Arterial-phase contrast-enhanced abdominal CT, axial slice 256 of 527 (counted from the lowest slice); tube voltage 120 kVp, convolution kernel I30f; slices 1.00 mm thick, 0.859 mm per pixel.
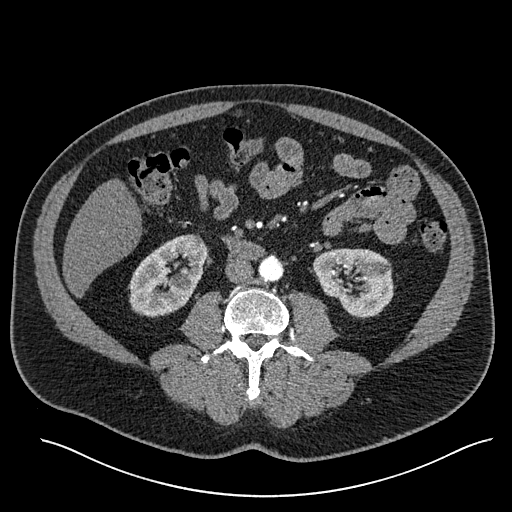
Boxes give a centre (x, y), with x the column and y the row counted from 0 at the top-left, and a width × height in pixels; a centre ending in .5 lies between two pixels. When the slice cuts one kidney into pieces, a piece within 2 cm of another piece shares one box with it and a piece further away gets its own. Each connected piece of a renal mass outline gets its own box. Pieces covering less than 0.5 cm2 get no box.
Two boxes on this slice (two kidney boxes), listed by box centre from the image's left to its right. (1) Box centre (167.5, 275.5), 80 × 84 pixels: right kidney (outlined area 4,458 px, about 32.9 cm2). (2) Left kidney in a box with centre (353, 282.5), 81 × 70 pixels (outlined area 4,184 px, about 30.9 cm2). This slice carries no renal mass outline.